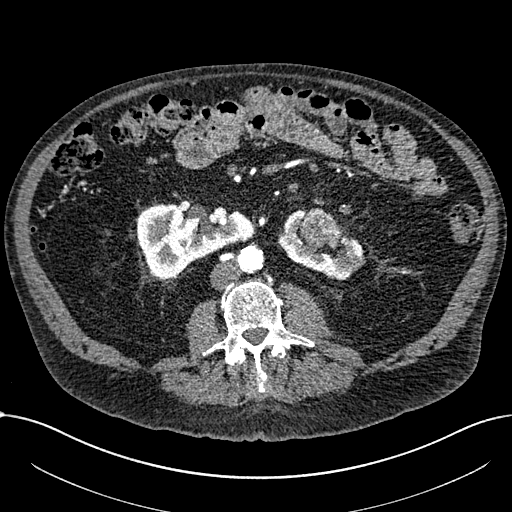
One axial slice (327 of 1059, counting up from the lowest) of an arterial-phase abdominal CT acquired with 100 kVp, kernel I30f; each pixel is 0.811 mm and the slice is 1.00 mm thick.
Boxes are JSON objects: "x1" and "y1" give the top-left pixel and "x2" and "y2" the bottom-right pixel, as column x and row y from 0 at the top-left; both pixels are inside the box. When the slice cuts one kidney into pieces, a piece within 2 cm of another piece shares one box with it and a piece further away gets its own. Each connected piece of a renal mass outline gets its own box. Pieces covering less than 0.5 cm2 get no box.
Three boxes on this slice (two kidney boxes and one renal mass box), listed by box centre from the image's left to its right. (1) Right part of the midline-crossing kidney at {"x1": 137, "y1": 203, "x2": 254, "y2": 278} (outlined area 5,882 px, about 38.6 cm2). (2) Box {"x1": 298, "y1": 208, "x2": 342, "y2": 248}: renal mass (outlined area 1,295 px, about 8.5 cm2). (3) Left part of the midline-crossing kidney at {"x1": 277, "y1": 208, "x2": 365, "y2": 280} (outlined area 2,821 px, about 18.5 cm2).